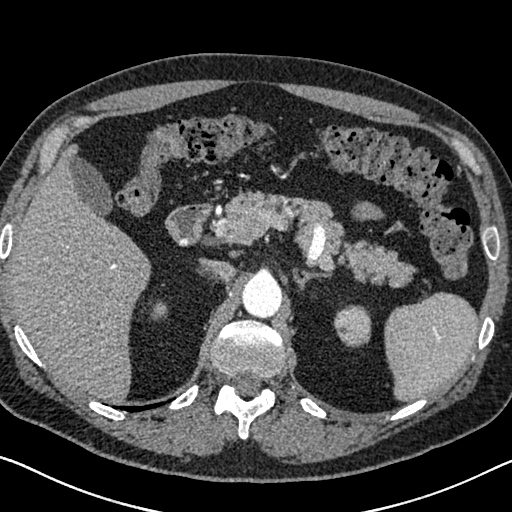
Axial slice 485 of 626 of a contrast-enhanced abdominal CT in the arterial phase (slice 1 is the lowest), 120 kVp, kernel I30f; 1.00 mm slice thickness and 0.703 mm pixels.
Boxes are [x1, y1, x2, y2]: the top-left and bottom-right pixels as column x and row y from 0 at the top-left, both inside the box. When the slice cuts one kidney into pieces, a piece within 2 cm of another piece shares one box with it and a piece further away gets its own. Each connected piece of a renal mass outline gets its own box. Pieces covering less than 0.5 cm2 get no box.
Boxed on this slice (two kidney boxes), listed by box centre from the image's left to its right: (1) Right kidney, box [151, 300, 167, 320] (outlined area 245 px, about 1.2 cm2). (2) Left kidney at [333, 305, 371, 347] (outlined area 1,278 px, about 6.3 cm2). No renal mass is outlined on this slice.